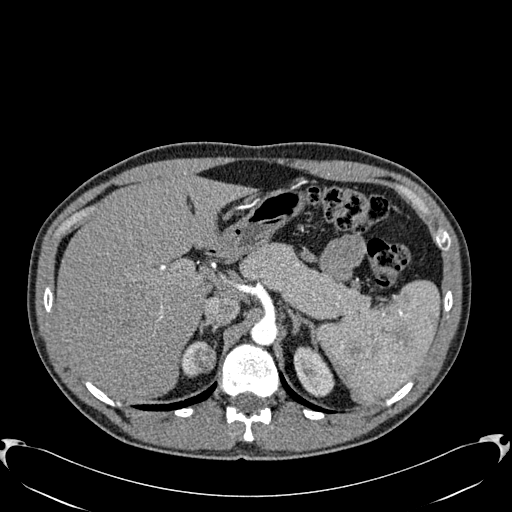
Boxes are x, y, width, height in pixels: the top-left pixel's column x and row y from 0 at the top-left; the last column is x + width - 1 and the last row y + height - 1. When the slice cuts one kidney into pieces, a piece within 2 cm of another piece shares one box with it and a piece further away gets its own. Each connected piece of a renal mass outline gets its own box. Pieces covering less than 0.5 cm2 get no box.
This is axial slice 447 of 512 (slice 1 is the lowest) of an arterial-phase abdominal CT with contrast; each pixel is 0.771 mm and the slice is 1.00 mm thick. Boxed on this slice (two kidney boxes and one renal mass box), listed by box centre from the image's left to its right: (1) Right kidney at x 181, y 343, width 19, height 34 (outlined area 331 px, about 2.0 cm2). (2) Box x 191, y 341, width 25, height 33: right renal mass (outlined area 622 px, about 3.7 cm2). (3) Box x 293, y 346, width 42, height 52: left kidney (outlined area 1,471 px, about 8.8 cm2).
Acquired at 120 kVp and reconstructed with the B30f kernel.